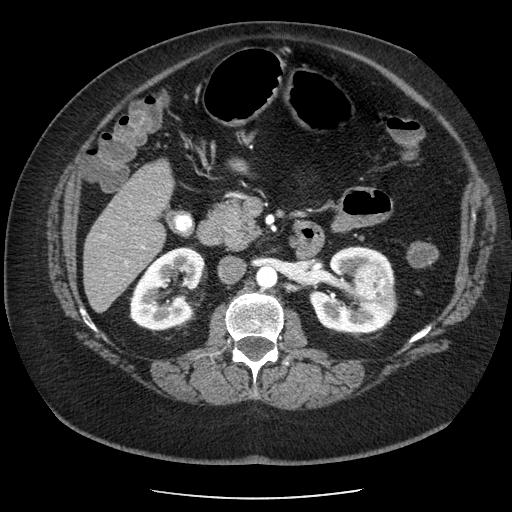
Axial slice 123 of 186 of a contrast-enhanced abdominal CT in the arterial phase (slice 1 is the lowest), 120 kVp, kernel STANDARD; 2.50 mm slice thickness and 0.742 mm pixels.
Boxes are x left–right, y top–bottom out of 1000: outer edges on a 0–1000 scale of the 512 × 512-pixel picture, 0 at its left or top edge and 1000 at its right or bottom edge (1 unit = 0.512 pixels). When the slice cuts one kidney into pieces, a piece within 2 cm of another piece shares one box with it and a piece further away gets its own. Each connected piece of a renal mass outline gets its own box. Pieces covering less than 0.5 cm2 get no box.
Three boxes on this slice (two kidney boxes and one renal mass box), listed by box centre from the image's left to its right. (1) Right kidney at x 254–402, y 482–646 out of 1000 (outlined area 4,471 px, about 24.6 cm2). (2) Left kidney, box x 602–777, y 480–652 out of 1000 (outlined area 4,869 px, about 26.8 cm2). (3) Left renal mass, box x 691–760, y 514–586 out of 1000 (outlined area 1,072 px, about 5.9 cm2).